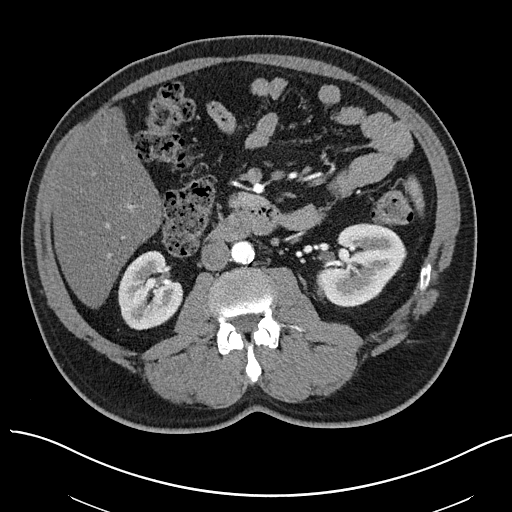
One axial slice (28 of 97, counting up from the lowest) of an arterial-phase abdominal CT acquired with 100 kVp, kernel I40f; each pixel is 0.797 mm and the slice is 3.00 mm thick.
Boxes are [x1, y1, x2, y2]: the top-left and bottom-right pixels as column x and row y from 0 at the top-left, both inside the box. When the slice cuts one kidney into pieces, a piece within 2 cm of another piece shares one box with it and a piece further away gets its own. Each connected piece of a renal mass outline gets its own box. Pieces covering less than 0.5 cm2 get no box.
Three boxes on this slice (two kidney boxes and one renal mass box), listed by box centre from the image's left to its right. (1) Box [118, 250, 183, 330]: right kidney (outlined area 3,799 px, about 24.1 cm2). (2) Left renal mass at [316, 259, 346, 299] (outlined area 743 px, about 4.7 cm2). (3) Left kidney at [325, 223, 406, 307] (outlined area 4,607 px, about 29.3 cm2).